Axial slice 299 of 673 of a contrast-enhanced abdominal CT in the arterial phase (slice 1 is the lowest), 120 kVp, kernel I30f; 1.00 mm slice thickness and 0.855 mm pixels.
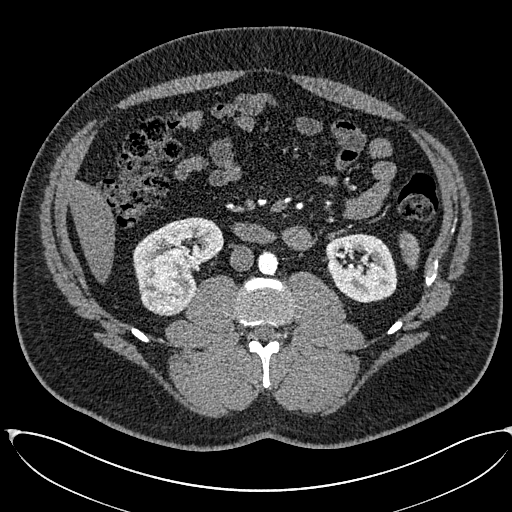
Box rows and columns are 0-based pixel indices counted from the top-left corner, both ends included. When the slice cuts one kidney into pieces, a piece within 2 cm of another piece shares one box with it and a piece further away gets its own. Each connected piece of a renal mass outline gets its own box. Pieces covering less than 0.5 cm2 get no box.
Three boxes on this slice (two kidney boxes and one renal mass box), listed by box centre from the image's left to its right. (1) Right renal mass at rows 247–316, columns 139–192 (outlined area 2,795 px, about 20.5 cm2). (2) Right kidney, box rows 217–294, columns 133–223 (outlined area 3,263 px, about 23.9 cm2). (3) Left kidney at rows 233–302, columns 325–397 (outlined area 3,920 px, about 28.7 cm2).